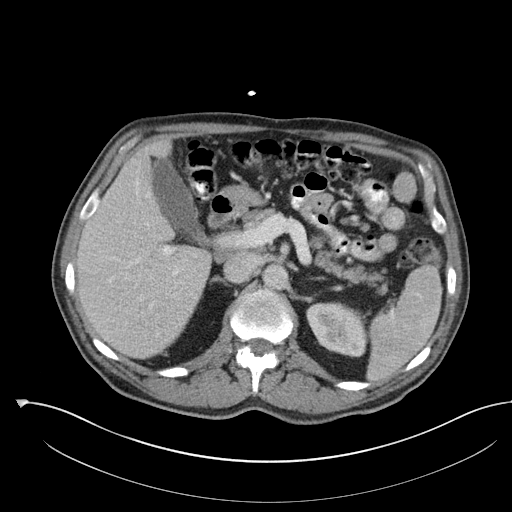
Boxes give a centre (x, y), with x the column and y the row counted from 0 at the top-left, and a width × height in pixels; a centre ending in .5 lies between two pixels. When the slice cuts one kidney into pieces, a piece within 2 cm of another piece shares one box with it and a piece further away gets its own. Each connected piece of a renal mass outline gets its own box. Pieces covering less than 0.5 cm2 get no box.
Contrast-enhanced abdominal CT, axial slice 75 of 142 (counted from the lowest slice); 5.00 mm thick, 0.855 mm per pixel. Box centre (337, 329), 63 × 57 pixels: left kidney (outlined area 2,591 px, about 19.0 cm2). No renal mass outline on this slice.
Tube voltage 100 kVp; convolution kernel I30f.